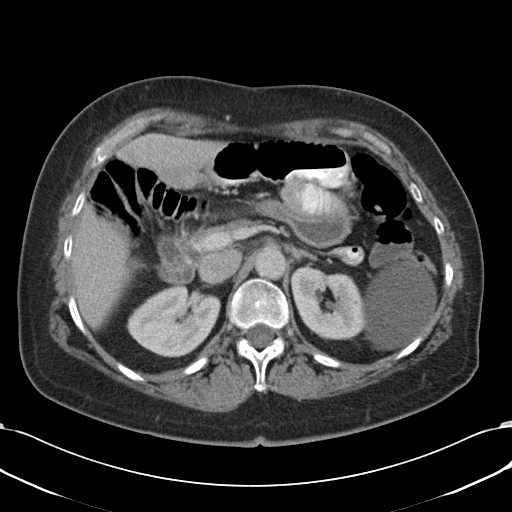
Axial slice 68 of 90 of a contrast-enhanced abdominal CT (slice 1 is the lowest), 120 kVp, kernel B31f; 5.00 mm slice thickness and 0.707 mm pixels.
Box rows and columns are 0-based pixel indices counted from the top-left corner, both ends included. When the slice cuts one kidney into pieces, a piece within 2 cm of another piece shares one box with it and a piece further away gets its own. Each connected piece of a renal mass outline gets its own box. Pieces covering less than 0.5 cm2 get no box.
Two boxes on this slice (two kidney boxes), listed by box centre from the image's left to its right. (1) Right kidney, box rows 285–356, columns 128–220 (outlined area 4,601 px, about 23.0 cm2). (2) Left kidney at rows 267–339, columns 291–363 (outlined area 3,905 px, about 19.5 cm2). No renal mass outline on this slice.